Abdominal CT with intravenous contrast, arterial phase, axial plane, 120 kVp, kernel I26f. Slice 103/470 from the bottom of the scan; thickness 1.00 mm; pixel size 0.938 mm.
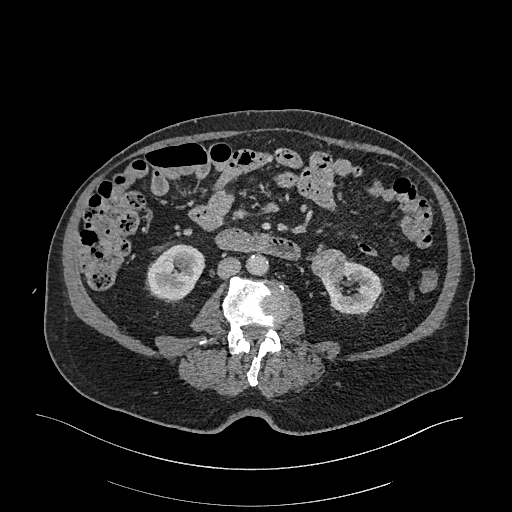
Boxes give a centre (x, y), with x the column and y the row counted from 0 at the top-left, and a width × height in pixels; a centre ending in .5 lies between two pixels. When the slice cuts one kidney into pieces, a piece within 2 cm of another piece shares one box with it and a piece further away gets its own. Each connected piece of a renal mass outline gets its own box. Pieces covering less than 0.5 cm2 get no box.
Three boxes on this slice (two kidney boxes and one renal mass box), listed by box centre from the image's left to its right. (1) Right kidney in a box with centre (175.5, 273), 60 × 59 pixels (outlined area 2,503 px, about 22.0 cm2). (2) Left renal mass in a box with centre (328, 264.5), 37 × 32 pixels (outlined area 892 px, about 7.8 cm2). (3) Left kidney, box centre (350.5, 287), 62 × 57 pixels (outlined area 2,127 px, about 18.7 cm2).